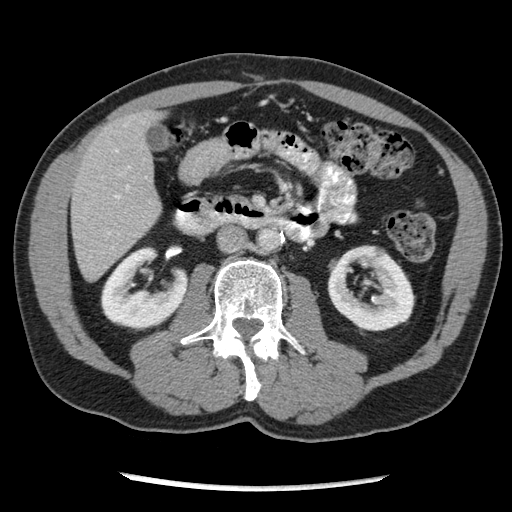
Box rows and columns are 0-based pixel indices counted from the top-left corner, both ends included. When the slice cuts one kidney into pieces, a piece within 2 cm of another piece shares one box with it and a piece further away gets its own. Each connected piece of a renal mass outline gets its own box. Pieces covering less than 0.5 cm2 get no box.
Slice 115/262 of a contrast-enhanced abdominal CT in the arterial phase, counting up from the lowest; pixel size 0.703 mm, slice thickness 2.50 mm. Three boxes on this slice (two kidney boxes and one renal mass box), listed by box centre from the image's left to its right. (1) Right kidney, box rows 246–331, columns 100–187 (outlined area 4,708 px, about 23.3 cm2). (2) Box rows 249–269, columns 358–384: left renal mass (outlined area 307 px, about 1.5 cm2). (3) Left kidney, box rows 245–331, columns 327–415 (outlined area 4,965 px, about 24.5 cm2).
Tube voltage 120 kVp; convolution kernel STANDARD.